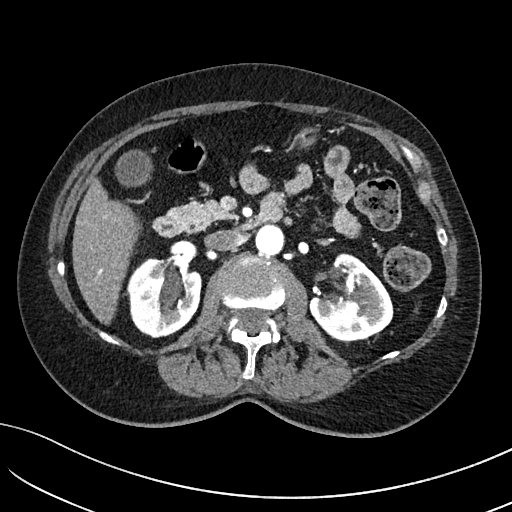
Arterial-phase contrast-enhanced abdominal CT, axial slice 70 of 234 (counted from the lowest slice); tube voltage 100 kVp, convolution kernel I40f; slices 2.00 mm thick, 0.699 mm per pixel.
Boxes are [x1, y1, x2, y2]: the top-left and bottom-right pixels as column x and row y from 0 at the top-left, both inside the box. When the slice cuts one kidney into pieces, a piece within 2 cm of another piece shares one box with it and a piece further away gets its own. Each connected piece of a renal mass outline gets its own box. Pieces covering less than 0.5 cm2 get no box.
Two kidney boxes on this slice; by box centre, from the image's left to its right: (1) Right kidney, box [126, 258, 201, 337] (outlined area 4,664 px, about 22.8 cm2). (2) Left kidney at [308, 253, 392, 340] (outlined area 5,022 px, about 24.6 cm2). No renal mass is outlined on this slice.